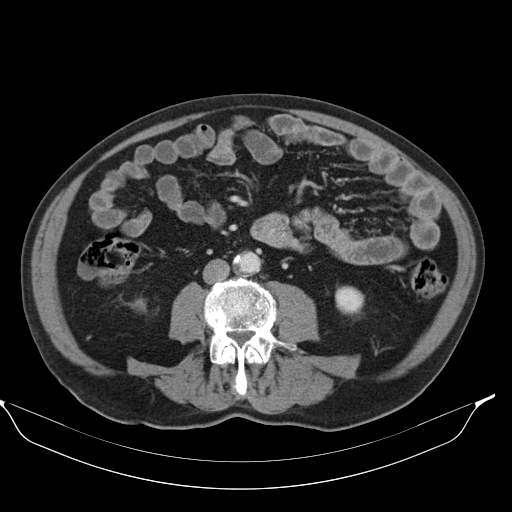
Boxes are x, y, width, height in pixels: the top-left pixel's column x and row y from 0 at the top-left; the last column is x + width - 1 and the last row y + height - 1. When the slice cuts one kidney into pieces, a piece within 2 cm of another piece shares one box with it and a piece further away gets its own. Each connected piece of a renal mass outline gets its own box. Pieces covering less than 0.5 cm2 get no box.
This is axial slice 46 of 98 (slice 1 is the lowest) of an abdominal CT with contrast; each pixel is 0.840 mm and the slice is 5.00 mm thick. Two boxes on this slice (two kidney boxes), listed by box centre from the image's left to its right. (1) Right kidney at x 131, y 298, width 16, height 15 (outlined area 157 px, about 1.1 cm2). (2) Left kidney, box x 335, y 285, width 30, height 31 (outlined area 725 px, about 5.1 cm2). No renal mass outline on this slice.
Scan settings: 130 kVp, B30s reconstruction kernel.